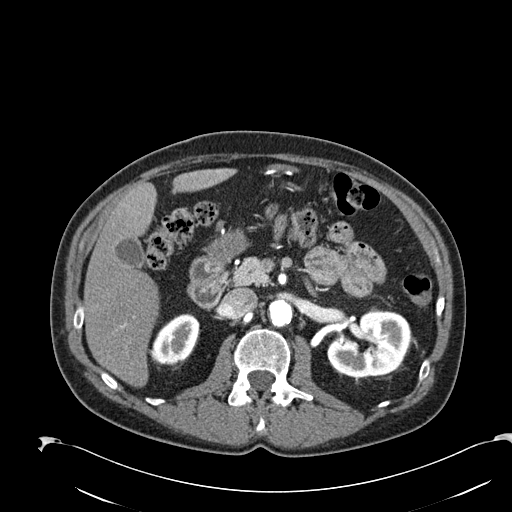
Axial slice 130 of 274 of a contrast-enhanced abdominal CT in the arterial phase (slice 1 is the lowest), 120 kVp, kernel B30f; 2.00 mm slice thickness and 0.809 mm pixels.
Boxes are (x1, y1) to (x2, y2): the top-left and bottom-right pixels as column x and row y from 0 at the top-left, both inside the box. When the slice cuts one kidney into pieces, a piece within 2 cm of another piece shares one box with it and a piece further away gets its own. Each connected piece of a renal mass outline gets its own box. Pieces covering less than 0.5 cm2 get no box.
Two boxes on this slice (two kidney boxes), listed by box centre from the image's left to its right. (1) Right kidney, box (152, 313) to (199, 364) (outlined area 1,759 px, about 11.5 cm2). (2) Left kidney from (327, 309) to (410, 377) (outlined area 4,186 px, about 27.4 cm2). No renal mass outline on this slice.